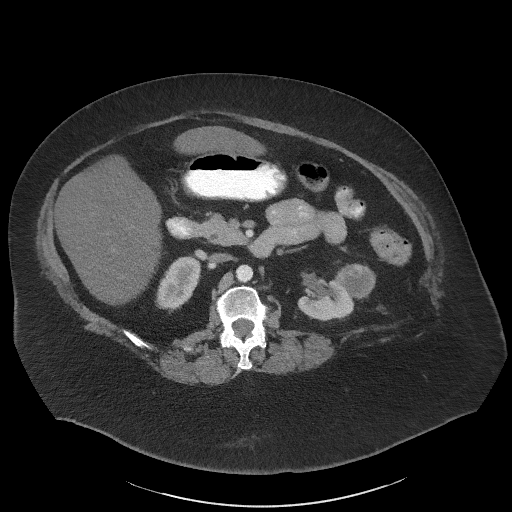
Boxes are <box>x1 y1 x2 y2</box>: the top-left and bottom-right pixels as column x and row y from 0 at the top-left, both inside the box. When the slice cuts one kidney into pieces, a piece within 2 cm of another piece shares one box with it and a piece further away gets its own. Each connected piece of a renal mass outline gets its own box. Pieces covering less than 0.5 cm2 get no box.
Slice 35/61 of a contrast-enhanced abdominal CT in the arterial phase, counting up from the lowest; pixel size 0.947 mm, slice thickness 3.00 mm. Three boxes on this slice (two kidney boxes and one renal mass box), listed by box centre from the image's left to its right. (1) Right kidney: <box>155 256 201 310</box> (outlined area 1,749 px, about 15.7 cm2). (2) Left kidney at <box>297 280 354 321</box> (outlined area 1,601 px, about 14.4 cm2). (3) At <box>333 263 375 299</box>: left renal mass (outlined area 1,072 px, about 9.6 cm2).
Acquired at 140 kVp and reconstructed with the I41f kernel.